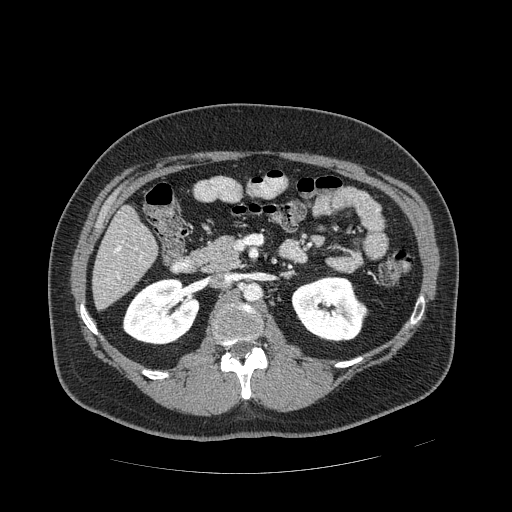
Arterial-phase contrast-enhanced abdominal CT, axial slice 262 of 389 (counted from the lowest slice); tube voltage 120 kVp, convolution kernel STANDARD; slices 1.25 mm thick, 0.869 mm per pixel.
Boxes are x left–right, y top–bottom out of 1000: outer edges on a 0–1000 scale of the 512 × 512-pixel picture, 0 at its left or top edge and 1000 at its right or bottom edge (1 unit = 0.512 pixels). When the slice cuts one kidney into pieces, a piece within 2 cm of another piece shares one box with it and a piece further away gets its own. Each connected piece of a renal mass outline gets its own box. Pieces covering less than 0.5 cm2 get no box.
Two kidney boxes and one renal mass box on this slice; by box centre, from the image's left to its right: (1) Right kidney, box x 238–391, y 543–674 out of 1000 (outlined area 3,829 px, about 28.9 cm2). (2) Left kidney, box x 568–713, y 537–670 out of 1000 (outlined area 3,497 px, about 26.4 cm2). (3) Left renal mass at x 684–721, y 588–623 out of 1000 (outlined area 253 px, about 1.9 cm2).